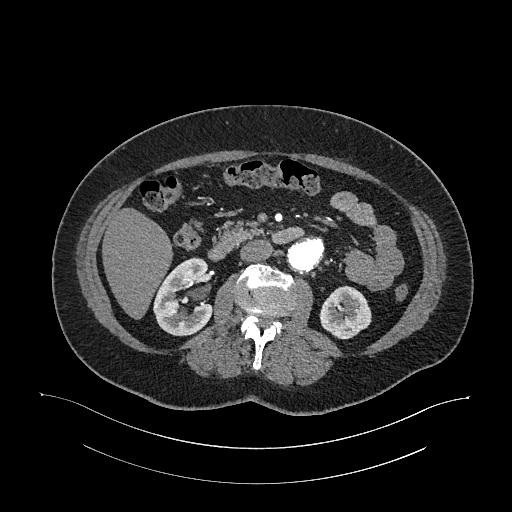
Abdominal CT with intravenous contrast, arterial phase, axial plane, 120 kVp, kernel I26f. Slice 622/987 from the bottom of the scan; thickness 1.00 mm; pixel size 0.977 mm.
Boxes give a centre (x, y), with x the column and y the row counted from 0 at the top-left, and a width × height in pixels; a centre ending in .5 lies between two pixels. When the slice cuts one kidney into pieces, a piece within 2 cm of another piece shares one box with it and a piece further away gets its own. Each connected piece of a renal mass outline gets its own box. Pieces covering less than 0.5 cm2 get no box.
Boxed on this slice (two kidney boxes), listed by box centre from the image's left to its right: (1) Right kidney, box centre (183, 296.5), 61 × 80 pixels (outlined area 3,392 px, about 32.3 cm2). (2) Left kidney, box centre (345, 312), 53 × 55 pixels (outlined area 2,088 px, about 19.9 cm2). No renal mass is outlined on this slice.